Axial slice 15 of 94 of a contrast-enhanced abdominal CT (slice 1 is the lowest), 120 kVp, kernel B41f; 3.00 mm slice thickness and 0.977 mm pixels.
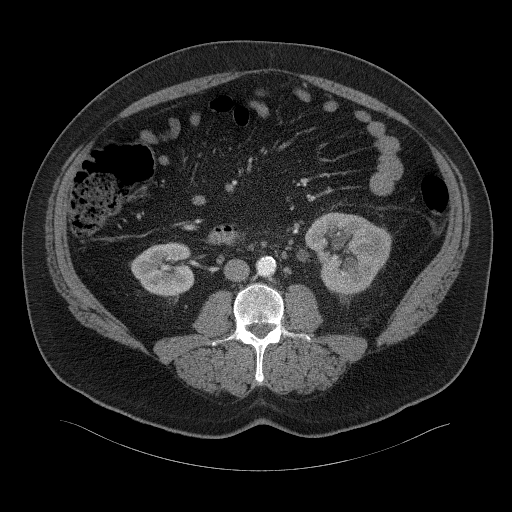
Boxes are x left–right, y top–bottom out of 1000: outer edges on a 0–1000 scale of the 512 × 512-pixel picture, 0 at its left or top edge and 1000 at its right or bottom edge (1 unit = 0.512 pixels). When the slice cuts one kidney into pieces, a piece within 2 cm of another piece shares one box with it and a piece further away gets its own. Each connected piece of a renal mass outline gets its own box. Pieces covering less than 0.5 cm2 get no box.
Boxed on this slice (two kidney boxes), listed by box centre from the image's left to its right: (1) Right kidney at x 254–381, y 473–580 out of 1000 (outlined area 2,642 px, about 25.2 cm2). (2) Left kidney at x 594–766, y 414–578 out of 1000 (outlined area 5,141 px, about 49.0 cm2). No renal mass outline on this slice.